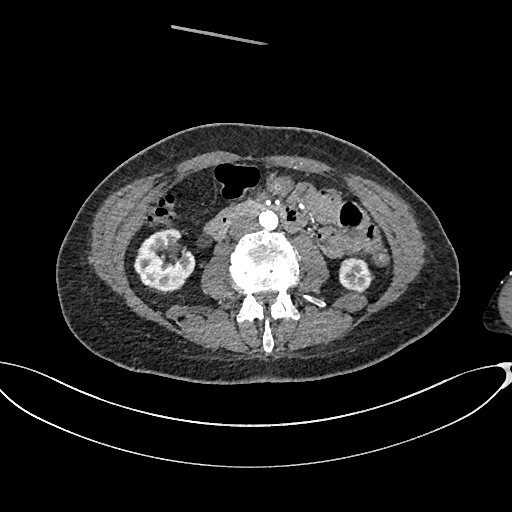
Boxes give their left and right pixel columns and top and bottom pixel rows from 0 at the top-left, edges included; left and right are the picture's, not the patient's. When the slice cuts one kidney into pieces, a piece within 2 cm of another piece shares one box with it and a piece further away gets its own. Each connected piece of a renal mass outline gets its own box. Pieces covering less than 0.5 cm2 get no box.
Arterial-phase contrast-enhanced abdominal CT, axial slice 324 of 665 (counted from the lowest slice); 1.00 mm thick, 0.828 mm per pixel. Boxed on this slice (two kidney boxes), listed by box centre from the image's left to its right: (1) Right kidney in the box with left 133, top 228, right 195, bottom 294 (outlined area 2,887 px, about 19.8 cm2). (2) Box with left 339, top 257, right 373, bottom 292: left kidney (outlined area 940 px, about 6.4 cm2). No renal mass is outlined on this slice.
Acquired at 100 kVp and reconstructed with the I26f kernel.